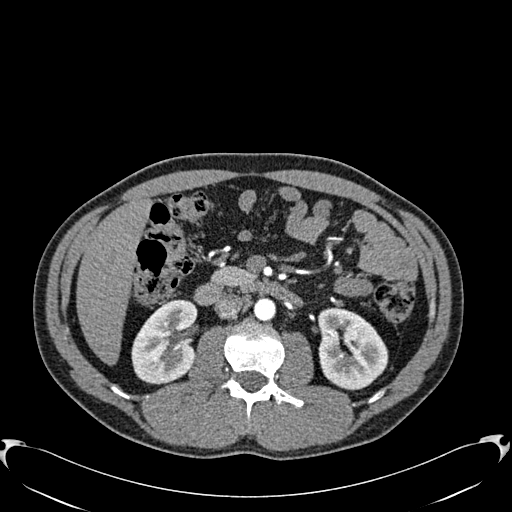
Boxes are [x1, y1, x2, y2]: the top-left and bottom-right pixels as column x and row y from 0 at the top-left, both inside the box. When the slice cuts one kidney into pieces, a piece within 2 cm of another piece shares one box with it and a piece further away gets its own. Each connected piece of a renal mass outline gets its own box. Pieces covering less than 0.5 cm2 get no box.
Arterial-phase contrast-enhanced abdominal CT, axial slice 339 of 512 (counted from the lowest slice); 1.00 mm thick, 0.771 mm per pixel. Two kidney boxes on this slice; by box centre, from the image's left to its right: (1) Right kidney at [131, 299, 197, 384] (outlined area 4,294 px, about 25.6 cm2). (2) Left kidney, box [318, 307, 388, 390] (outlined area 4,437 px, about 26.4 cm2). This slice carries no renal mass outline.
Tube voltage 120 kVp; convolution kernel B30f.